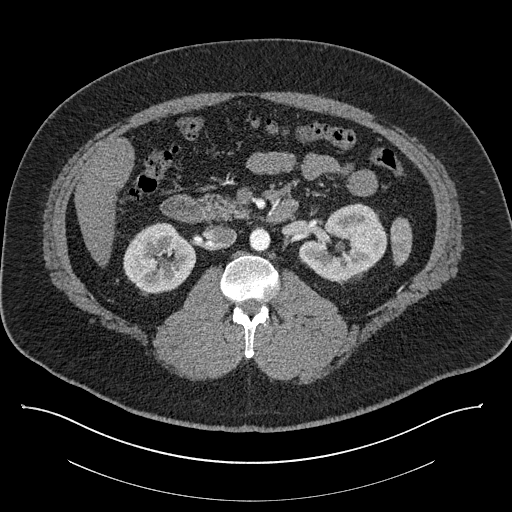
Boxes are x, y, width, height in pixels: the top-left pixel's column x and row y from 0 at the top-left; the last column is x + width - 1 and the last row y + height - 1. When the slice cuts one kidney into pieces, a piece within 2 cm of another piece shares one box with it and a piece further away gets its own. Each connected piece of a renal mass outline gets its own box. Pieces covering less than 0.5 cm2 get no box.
Slice 491/787 of a contrast-enhanced abdominal CT, counting up from the lowest; pixel size 0.910 mm, slice thickness 1.00 mm. Two boxes on this slice (two kidney boxes), listed by box centre from the image's left to its right. (1) Box x 123, y 222, width 74, height 73: right kidney (outlined area 3,934 px, about 32.6 cm2). (2) Left kidney, box x 298, y 203, width 90, height 79 (outlined area 4,799 px, about 39.8 cm2). No renal mass is outlined on this slice.
Scan settings: 140 kVp, I30f reconstruction kernel.